Abdominal CT with intravenous contrast, axial plane, 100 kVp, kernel I30f. Slice 129/269 from the bottom of the scan; thickness 5.00 mm; pixel size 0.732 mm.
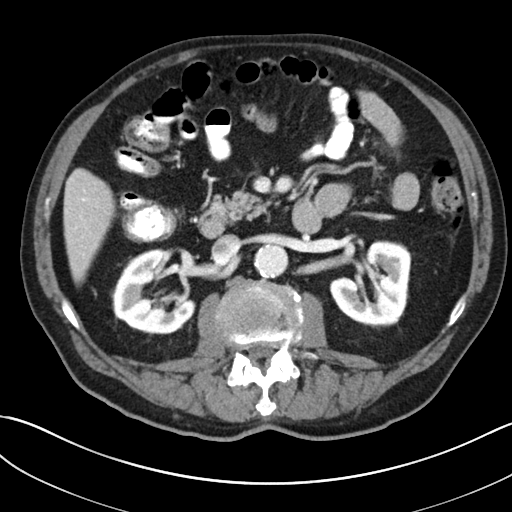
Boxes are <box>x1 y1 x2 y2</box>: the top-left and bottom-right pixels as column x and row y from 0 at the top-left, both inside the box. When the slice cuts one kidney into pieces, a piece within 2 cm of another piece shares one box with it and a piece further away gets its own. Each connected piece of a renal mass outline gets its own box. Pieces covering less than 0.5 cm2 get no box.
Boxed on this slice (two kidney boxes), listed by box centre from the image's left to its right: (1) Right kidney at <box>113 249 195 334</box> (outlined area 4,634 px, about 24.9 cm2). (2) Left kidney: <box>329 240 411 328</box> (outlined area 4,997 px, about 26.8 cm2). This slice carries no renal mass outline.